Axial slice 33 of 92 of a contrast-enhanced abdominal CT (slice 1 is the lowest), 100 kVp, kernel I41f; 3.00 mm slice thickness and 0.684 mm pixels.
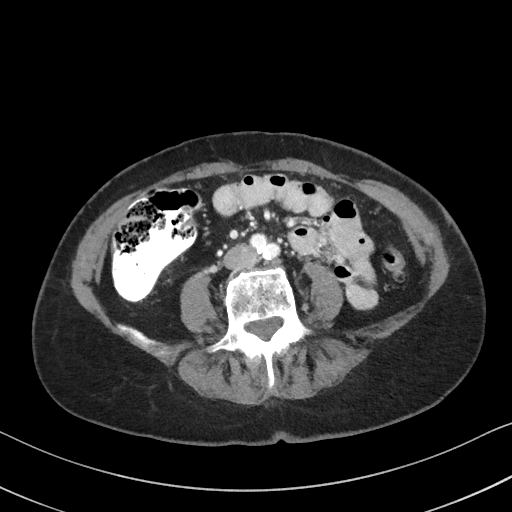
No kidney and no renal mass is outlined on this slice; the outlines in this scan cover only the kidneys and the renal masses, so nothing is said about any other organ.